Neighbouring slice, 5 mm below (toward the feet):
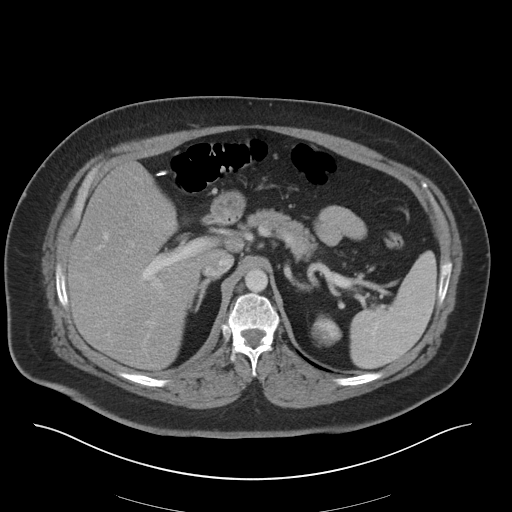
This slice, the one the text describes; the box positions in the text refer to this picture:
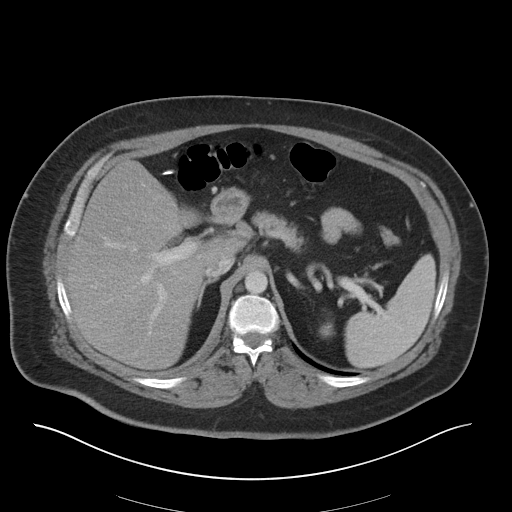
Axial slice 30 of 36 of a contrast-enhanced abdominal CT in the arterial phase (slice 1 is the lowest), 140 kVp, kernel I30f; 5.00 mm slice thickness and 0.906 mm pixels.
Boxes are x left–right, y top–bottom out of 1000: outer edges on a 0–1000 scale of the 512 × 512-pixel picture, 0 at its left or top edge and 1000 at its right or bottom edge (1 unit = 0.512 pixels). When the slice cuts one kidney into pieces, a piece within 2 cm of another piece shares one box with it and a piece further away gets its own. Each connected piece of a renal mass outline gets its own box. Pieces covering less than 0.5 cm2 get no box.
Left renal mass at x 623–654, y 629–660 out of 1000 (outlined area 182 px, about 1.5 cm2); this slice has no kidney outline, though on another slice the same outlined renal mass lies within 1 cm of the kidney. This slice is near the end of the left renal mass toward the head, so the slice 5 mm below it is shown as well; the boxes refer to this slice only.